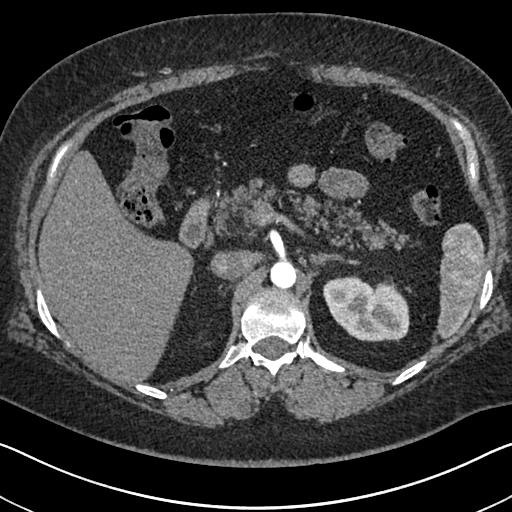
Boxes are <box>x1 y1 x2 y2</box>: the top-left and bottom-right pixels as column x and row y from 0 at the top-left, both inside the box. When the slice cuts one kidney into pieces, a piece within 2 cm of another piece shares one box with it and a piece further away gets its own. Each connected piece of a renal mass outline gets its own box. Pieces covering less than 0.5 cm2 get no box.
This is axial slice 473 of 591 (slice 1 is the lowest) of an arterial-phase abdominal CT with contrast; each pixel is 0.703 mm and the slice is 1.00 mm thick. At <box>323 275 409 341</box>: left kidney (outlined area 4,402 px, about 21.8 cm2). This slice carries no renal mass outline.
Scan settings: 140 kVp, I30f reconstruction kernel.